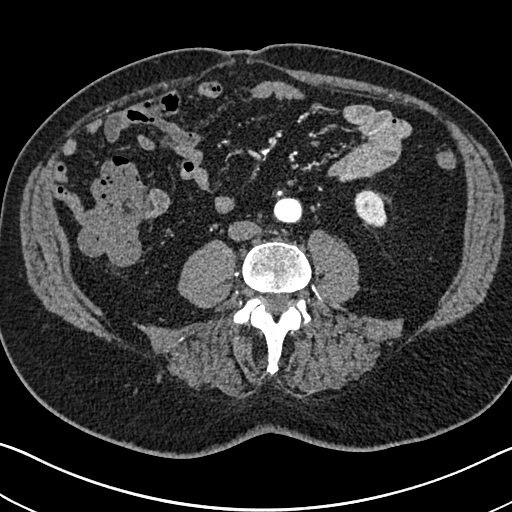
One axial slice (276 of 705, counting up from the lowest) of an arterial-phase abdominal CT acquired with 120 kVp, kernel I30f; each pixel is 0.703 mm and the slice is 1.00 mm thick.
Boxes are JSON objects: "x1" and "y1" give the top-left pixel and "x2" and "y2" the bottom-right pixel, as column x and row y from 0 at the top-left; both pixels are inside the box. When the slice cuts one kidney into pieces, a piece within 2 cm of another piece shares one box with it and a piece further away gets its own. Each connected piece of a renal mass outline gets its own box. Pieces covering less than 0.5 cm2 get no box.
Box {"x1": 354, "y1": 189, "x2": 387, "y2": 227}: left kidney (outlined area 951 px, about 4.7 cm2). This slice carries no renal mass outline.